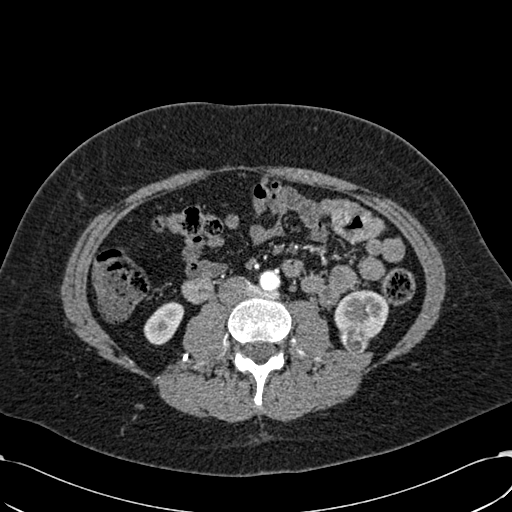
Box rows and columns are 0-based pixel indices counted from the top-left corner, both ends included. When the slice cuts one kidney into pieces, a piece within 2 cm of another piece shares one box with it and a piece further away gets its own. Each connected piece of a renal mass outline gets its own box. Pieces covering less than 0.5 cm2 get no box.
This is axial slice 277 of 532 (slice 1 is the lowest) of an arterial-phase abdominal CT with contrast; each pixel is 0.713 mm and the slice is 1.00 mm thick. Two kidney boxes and one renal mass box on this slice; by box centre, from the image's left to its right: (1) Box rows 301–345, columns 143–184: right kidney (outlined area 1,211 px, about 6.2 cm2). (2) Left renal mass at rows 324–355, columns 339–369 (outlined area 694 px, about 3.5 cm2). (3) Left kidney at rows 289–339, columns 334–390 (outlined area 1,888 px, about 9.6 cm2).
Tube voltage 120 kVp; convolution kernel B30f.